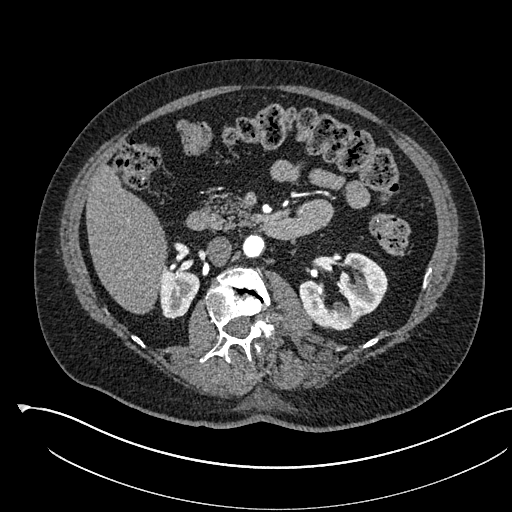
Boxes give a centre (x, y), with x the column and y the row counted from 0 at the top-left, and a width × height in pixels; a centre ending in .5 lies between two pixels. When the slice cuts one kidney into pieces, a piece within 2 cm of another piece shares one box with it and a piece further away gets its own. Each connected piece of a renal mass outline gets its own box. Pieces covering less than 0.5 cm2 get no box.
This is axial slice 322 of 541 (slice 1 is the lowest) of an arterial-phase abdominal CT with contrast; each pixel is 0.834 mm and the slice is 1.00 mm thick. Boxed on this slice (two kidney boxes), listed by box centre from the image's left to its right: (1) Box centre (179, 292), 41 × 55 pixels: right kidney (outlined area 1,590 px, about 11.1 cm2). (2) Left kidney, box centre (343, 290.5), 89 × 80 pixels (outlined area 4,233 px, about 29.4 cm2). No renal mass is outlined on this slice.
Acquired at 120 kVp and reconstructed with the I30f kernel.